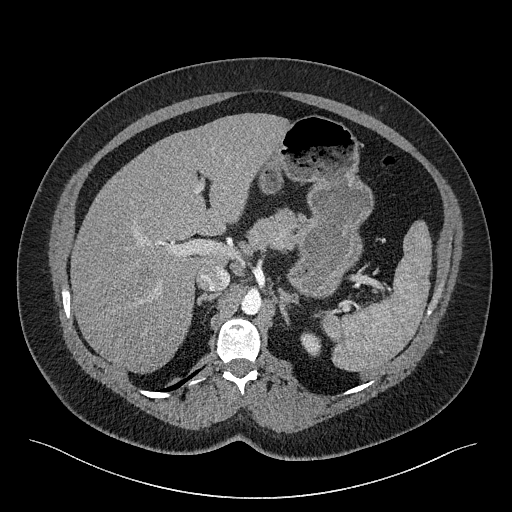
Contrast-enhanced abdominal CT, axial slice 180 of 301 (counted from the lowest slice); tube voltage 120 kVp, convolution kernel I40f; slices 2.00 mm thick, 0.859 mm per pixel.
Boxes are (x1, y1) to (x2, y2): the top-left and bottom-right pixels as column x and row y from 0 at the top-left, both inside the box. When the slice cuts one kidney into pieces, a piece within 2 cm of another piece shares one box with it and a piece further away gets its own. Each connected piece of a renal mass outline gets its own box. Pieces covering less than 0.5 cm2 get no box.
Left kidney from (300, 332) to (321, 356) (outlined area 392 px, about 2.9 cm2). No renal mass is outlined on this slice.